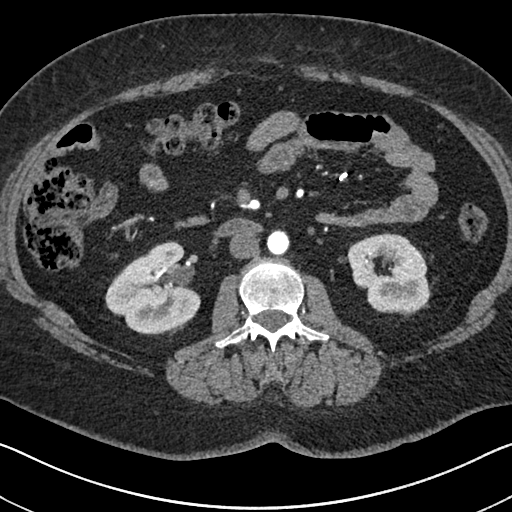
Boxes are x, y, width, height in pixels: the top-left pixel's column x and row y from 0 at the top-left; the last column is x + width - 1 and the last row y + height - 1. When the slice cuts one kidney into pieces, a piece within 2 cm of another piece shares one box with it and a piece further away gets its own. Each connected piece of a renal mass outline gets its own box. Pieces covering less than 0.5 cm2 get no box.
Arterial-phase contrast-enhanced abdominal CT, axial slice 364 of 591 (counted from the lowest slice); 1.00 mm thick, 0.703 mm per pixel. Boxed on this slice (two kidney boxes), listed by box centre from the image's left to its right: (1) Right kidney at x 105, y 241, width 96, height 95 (outlined area 6,213 px, about 30.7 cm2). (2) Box x 347, y 232, width 84, height 82: left kidney (outlined area 5,016 px, about 24.8 cm2). No renal mass outline on this slice.
Acquired at 140 kVp and reconstructed with the I30f kernel.